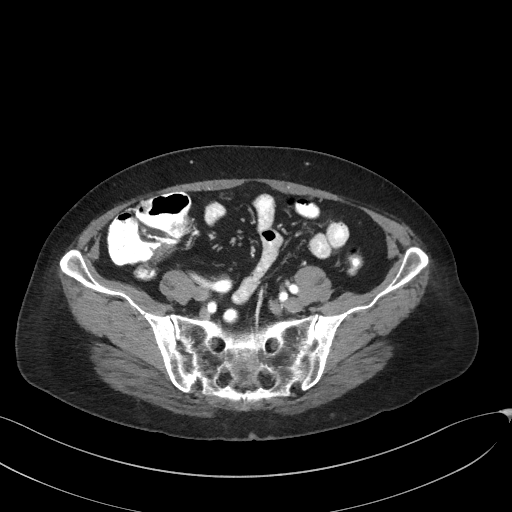
This is axial slice 53 of 129 (slice 1 is the lowest) of an arterial-phase abdominal CT with contrast; each pixel is 0.779 mm and the slice is 3.00 mm thick. This slice carries no outline: it lies beyond the outlined kidneys and beyond every outlined renal mass. Other organs are not outlined in this scan.
Scan settings: 100 kVp, I41f reconstruction kernel.